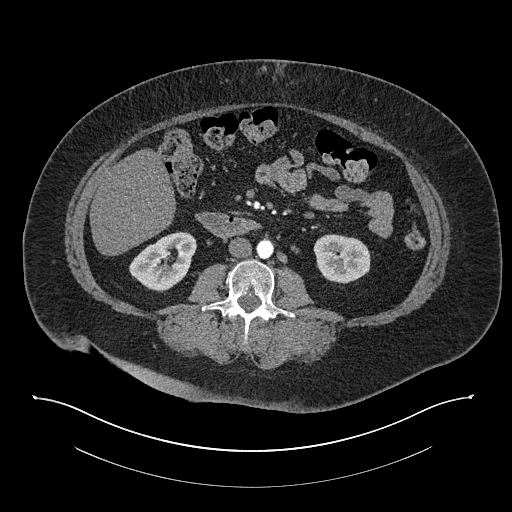
One axial slice (392 of 673, counting up from the lowest) of an arterial-phase abdominal CT acquired with 140 kVp, kernel I30f; each pixel is 0.957 mm and the slice is 1.00 mm thick.
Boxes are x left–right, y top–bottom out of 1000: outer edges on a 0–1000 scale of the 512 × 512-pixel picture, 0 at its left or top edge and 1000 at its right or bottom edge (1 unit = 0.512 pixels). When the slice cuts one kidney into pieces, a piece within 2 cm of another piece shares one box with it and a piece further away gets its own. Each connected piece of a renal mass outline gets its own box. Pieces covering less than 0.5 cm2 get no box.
Two boxes on this slice (two kidney boxes), listed by box centre from the image's left to its right. (1) Right kidney, box x 252–385, y 451–570 out of 1000 (outlined area 2,718 px, about 24.9 cm2). (2) Left kidney at x 611–725, y 457–555 out of 1000 (outlined area 2,272 px, about 20.8 cm2). This slice carries no renal mass outline.